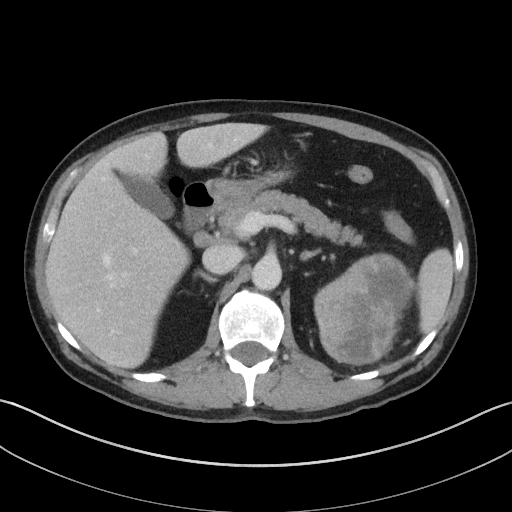
Contrast-enhanced abdominal CT, axial slice 75 of 143 (counted from the lowest slice); tube voltage 100 kVp, convolution kernel I41f; slices 5.00 mm thick, 0.734 mm per pixel.
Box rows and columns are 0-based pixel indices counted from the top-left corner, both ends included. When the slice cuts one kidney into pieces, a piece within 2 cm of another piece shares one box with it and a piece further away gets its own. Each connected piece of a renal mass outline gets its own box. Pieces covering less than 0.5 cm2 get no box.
Box rows 252–367, columns 314–414: left renal mass (outlined area 8,227 px, about 44.4 cm2); no kidney outline appears on this slice, but the same outlined renal mass comes within 1 cm of the kidney on another slice.